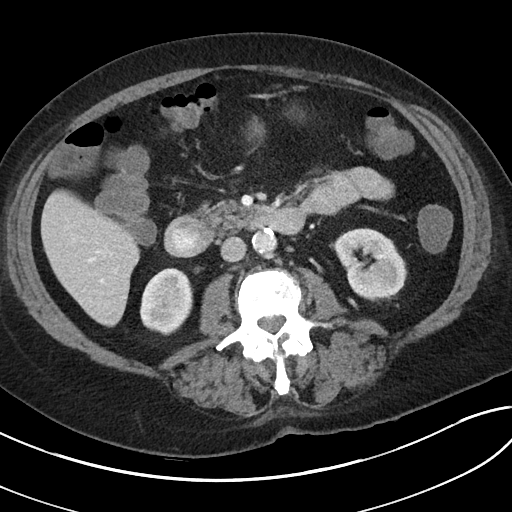
One axial slice (53 of 80, counting up from the lowest) of a contrast-enhanced abdominal CT acquired with 100 kVp, kernel I40f; each pixel is 0.703 mm and the slice is 5.00 mm thick.
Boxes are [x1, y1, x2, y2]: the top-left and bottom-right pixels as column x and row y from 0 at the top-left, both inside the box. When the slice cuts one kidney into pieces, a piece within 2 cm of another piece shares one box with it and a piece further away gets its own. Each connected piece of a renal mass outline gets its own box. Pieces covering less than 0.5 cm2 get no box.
Two kidney boxes on this slice; by box centre, from the image's left to its right: (1) Right kidney at [140, 267, 193, 335] (outlined area 2,738 px, about 13.5 cm2). (2) Left kidney, box [333, 227, 406, 301] (outlined area 3,821 px, about 18.9 cm2). No renal mass is outlined on this slice.